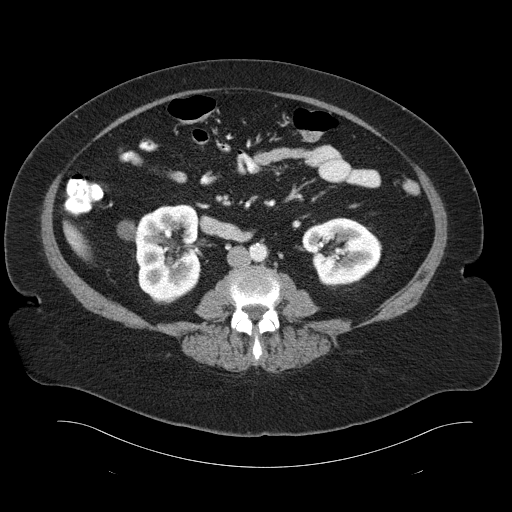
Axial slice 51 of 93 of a contrast-enhanced abdominal CT (slice 1 is the lowest), 120 kVp, kernel B30f; 5.00 mm slice thickness and 0.938 mm pixels.
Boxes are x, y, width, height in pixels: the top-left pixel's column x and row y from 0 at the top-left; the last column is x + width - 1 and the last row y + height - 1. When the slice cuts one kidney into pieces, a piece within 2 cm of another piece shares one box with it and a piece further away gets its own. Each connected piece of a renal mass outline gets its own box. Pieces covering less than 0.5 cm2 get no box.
Two boxes on this slice (two kidney boxes), listed by box centre from the image's left to its right. (1) Box x 117, y 204, width 85, height 101: right kidney (outlined area 5,711 px, about 50.2 cm2). (2) Box x 302, y 217, width 81, height 71: left kidney (outlined area 4,092 px, about 36.0 cm2). No renal mass outline on this slice.